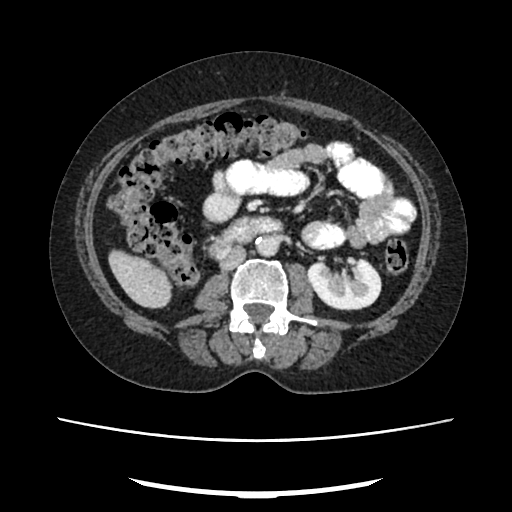
One axial slice (124 of 207, counting up from the lowest) of an arterial-phase abdominal CT acquired with 120 kVp, kernel FC18; each pixel is 0.741 mm and the slice is 2.00 mm thick.
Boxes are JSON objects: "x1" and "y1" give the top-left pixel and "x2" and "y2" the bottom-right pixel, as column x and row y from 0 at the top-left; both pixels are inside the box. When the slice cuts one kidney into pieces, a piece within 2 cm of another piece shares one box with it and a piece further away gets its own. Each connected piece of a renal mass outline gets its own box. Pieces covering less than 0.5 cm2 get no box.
Left kidney, box {"x1": 307, "y1": 257, "x2": 381, "y2": 310} (outlined area 3,055 px, about 16.8 cm2). This slice carries no renal mass outline.